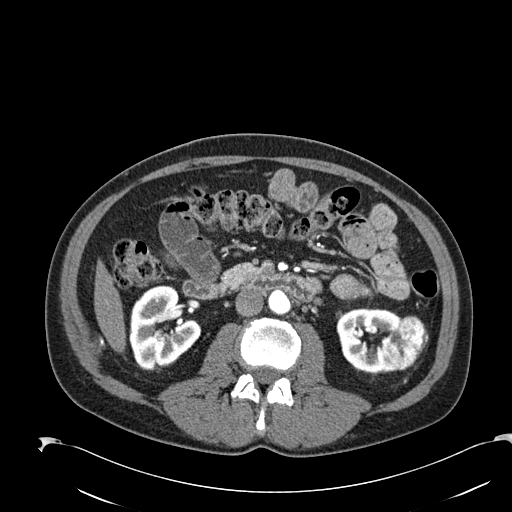
One axial slice (100 of 274, counting up from the lowest) of an arterial-phase abdominal CT acquired with 120 kVp, kernel B30f; each pixel is 0.809 mm and the slice is 2.00 mm thick.
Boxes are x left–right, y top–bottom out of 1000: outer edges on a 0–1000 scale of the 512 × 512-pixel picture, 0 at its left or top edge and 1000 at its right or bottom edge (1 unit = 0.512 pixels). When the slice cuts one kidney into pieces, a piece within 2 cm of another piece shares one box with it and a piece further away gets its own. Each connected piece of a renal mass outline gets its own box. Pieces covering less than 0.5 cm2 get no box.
Boxed on this slice (two kidney boxes and one renal mass box), listed by box centre from the image's left to its right: (1) Right kidney at x 252–395, y 557–721 out of 1000 (outlined area 4,193 px, about 27.4 cm2). (2) Left kidney at x 656–781, y 602–732 out of 1000 (outlined area 2,822 px, about 18.5 cm2). (3) Left renal mass at x 742–838, y 615–727 out of 1000 (outlined area 1,821 px, about 11.9 cm2).